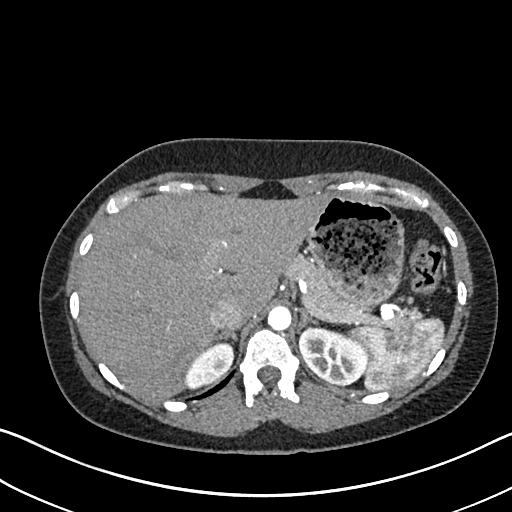
Abdominal CT with intravenous contrast, arterial phase, axial plane, 120 kVp, kernel I30f. Slice 533/612 from the bottom of the scan; thickness 1.00 mm; pixel size 0.703 mm.
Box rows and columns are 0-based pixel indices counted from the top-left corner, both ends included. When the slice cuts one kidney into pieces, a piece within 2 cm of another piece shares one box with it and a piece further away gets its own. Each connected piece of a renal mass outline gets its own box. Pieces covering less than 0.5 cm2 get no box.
Two boxes on this slice (two kidney boxes), listed by box centre from the image's left to its right. (1) Right kidney, box rows 341–389, columns 183–233 (outlined area 1,497 px, about 7.4 cm2). (2) Left kidney, box rows 324–384, columns 299–367 (outlined area 2,996 px, about 14.8 cm2). No renal mass outline on this slice.